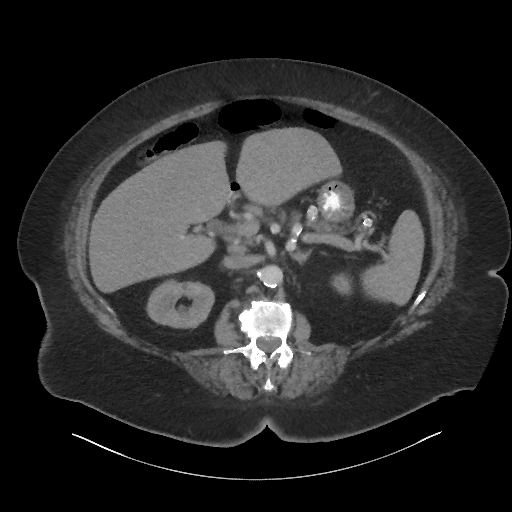
Axial slice 44 of 86 of a contrast-enhanced abdominal CT (slice 1 is the lowest), 140 kVp, kernel I44f; 3.00 mm slice thickness and 0.977 mm pixels.
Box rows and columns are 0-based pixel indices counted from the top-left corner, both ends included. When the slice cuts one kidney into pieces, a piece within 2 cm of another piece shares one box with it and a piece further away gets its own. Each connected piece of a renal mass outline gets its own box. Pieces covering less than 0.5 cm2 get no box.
Boxed on this slice (two kidney boxes), listed by box centre from the image's left to its right: (1) Box rows 278–328, columns 146–214: right kidney (outlined area 2,599 px, about 24.8 cm2). (2) Left kidney at rows 273–294, columns 331–351 (outlined area 348 px, about 3.3 cm2). No renal mass outline on this slice.